Arterial-phase contrast-enhanced abdominal CT, axial slice 420 of 591 (counted from the lowest slice); tube voltage 140 kVp, convolution kernel I30f; slices 1.00 mm thick, 0.703 mm per pixel.
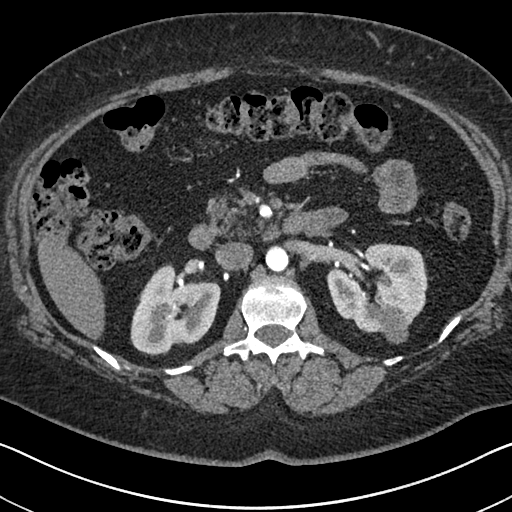
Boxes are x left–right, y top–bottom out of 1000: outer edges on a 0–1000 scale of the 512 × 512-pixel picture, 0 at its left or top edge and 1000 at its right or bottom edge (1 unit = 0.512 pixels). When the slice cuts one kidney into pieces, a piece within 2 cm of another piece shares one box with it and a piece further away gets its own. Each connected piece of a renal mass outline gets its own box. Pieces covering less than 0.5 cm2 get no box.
Three boxes on this slice (two kidney boxes and one renal mass box), listed by box centre from the image's left to its right. (1) Box x 254–432, y 514–695 out of 1000: right kidney (outlined area 5,803 px, about 28.7 cm2). (2) Left kidney, box x 637–838, y 475–652 out of 1000 (outlined area 6,193 px, about 30.6 cm2). (3) Left renal mass, box x 744–803, y 596–674 out of 1000 (outlined area 895 px, about 4.4 cm2).